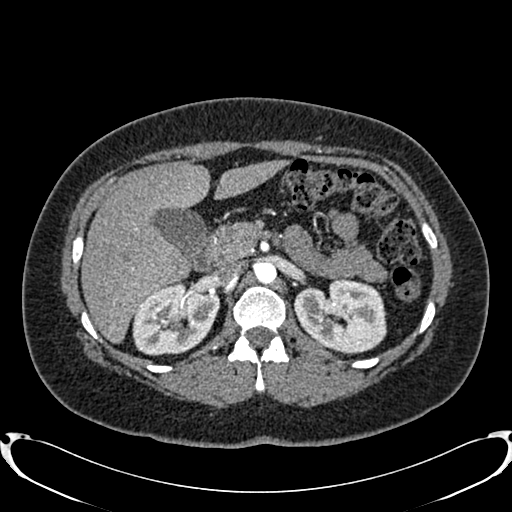
Arterial-phase contrast-enhanced abdominal CT, axial slice 521 of 719 (counted from the lowest slice); tube voltage 120 kVp, convolution kernel B20f; slices 1.00 mm thick, 0.766 mm per pixel.
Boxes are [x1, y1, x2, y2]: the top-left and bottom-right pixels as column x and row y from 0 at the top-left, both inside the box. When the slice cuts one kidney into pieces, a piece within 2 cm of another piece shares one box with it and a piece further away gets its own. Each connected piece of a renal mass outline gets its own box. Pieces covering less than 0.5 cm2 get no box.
Two boxes on this slice (two kidney boxes), listed by box centre from the image's left to its right. (1) Right kidney at [132, 282, 219, 355] (outlined area 4,849 px, about 28.4 cm2). (2) Left kidney, box [293, 277, 386, 354] (outlined area 5,342 px, about 31.3 cm2). No renal mass is outlined on this slice.